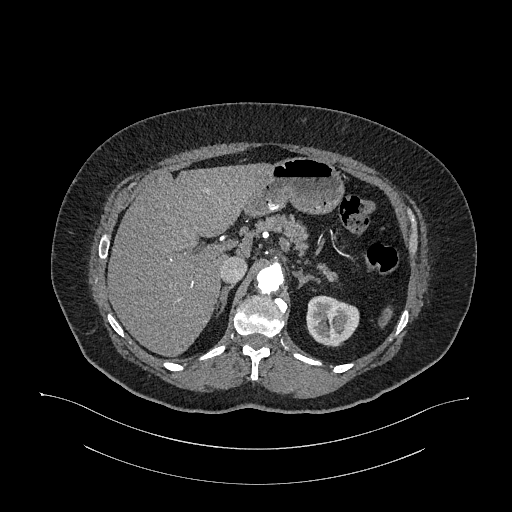
Axial slice 769 of 987 of a contrast-enhanced abdominal CT in the arterial phase (slice 1 is the lowest), 120 kVp, kernel I26f; 1.00 mm slice thickness and 0.977 mm pixels.
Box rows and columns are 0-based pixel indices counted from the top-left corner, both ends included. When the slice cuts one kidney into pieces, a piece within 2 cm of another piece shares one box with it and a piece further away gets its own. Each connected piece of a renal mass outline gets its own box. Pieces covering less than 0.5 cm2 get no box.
Left kidney, box rows 295–346, columns 306–359 (outlined area 2,143 px, about 20.4 cm2). No renal mass is outlined on this slice.